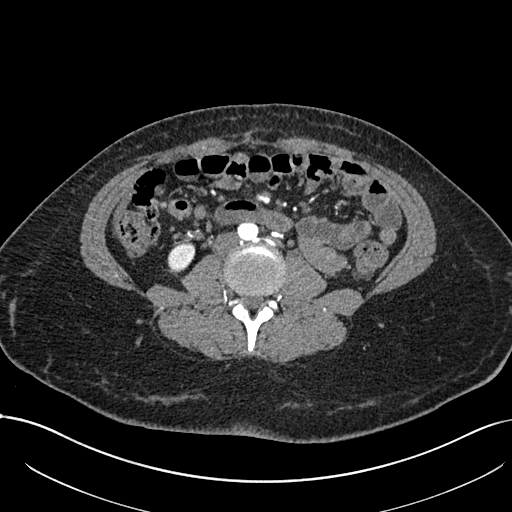
Abdominal CT with intravenous contrast, arterial phase, axial plane, 120 kVp, kernel I30f. Slice 308/738 from the bottom of the scan; thickness 1.00 mm; pixel size 0.789 mm.
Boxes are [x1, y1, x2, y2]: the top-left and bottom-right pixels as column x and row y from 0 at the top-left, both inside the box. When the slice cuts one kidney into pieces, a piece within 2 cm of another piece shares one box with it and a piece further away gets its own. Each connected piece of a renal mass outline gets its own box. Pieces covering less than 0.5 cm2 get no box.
Right kidney, box [167, 241, 195, 274] (outlined area 699 px, about 4.4 cm2). No renal mass is outlined on this slice.